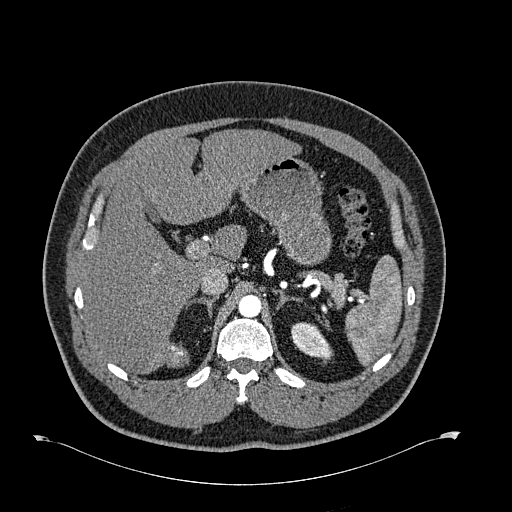
Axial slice 485 of 723 of a contrast-enhanced abdominal CT in the arterial phase (slice 1 is the lowest), 120 kVp, kernel B30f; 1.00 mm slice thickness and 0.895 mm pixels.
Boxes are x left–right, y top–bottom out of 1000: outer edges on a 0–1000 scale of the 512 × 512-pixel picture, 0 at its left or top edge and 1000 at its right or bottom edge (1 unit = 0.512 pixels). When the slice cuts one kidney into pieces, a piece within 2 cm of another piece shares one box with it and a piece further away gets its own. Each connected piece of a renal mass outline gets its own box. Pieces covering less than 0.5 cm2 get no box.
Left kidney, box x 568–650, y 629–707 out of 1000 (outlined area 1,091 px, about 8.7 cm2). No renal mass outline on this slice.